Abdominal CT with intravenous contrast, arterial phase, axial plane, 120 kVp, kernel B20f. Slice 413/719 from the bottom of the scan; thickness 1.00 mm; pixel size 0.766 mm.
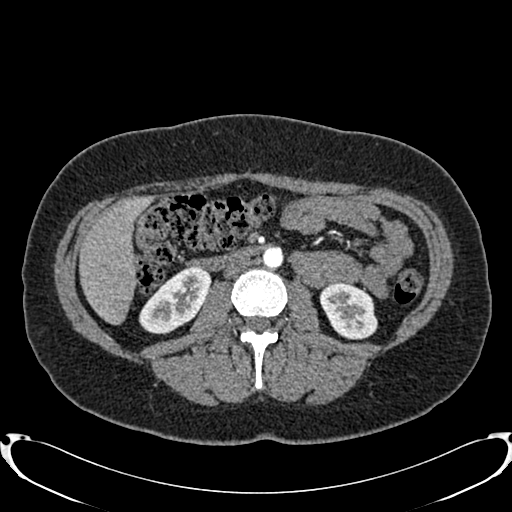
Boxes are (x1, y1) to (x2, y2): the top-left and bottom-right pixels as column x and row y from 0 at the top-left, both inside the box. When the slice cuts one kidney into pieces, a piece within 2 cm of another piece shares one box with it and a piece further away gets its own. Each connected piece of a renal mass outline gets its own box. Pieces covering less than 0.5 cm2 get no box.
Two kidney boxes on this slice; by box centre, from the image's left to its right: (1) Right kidney, box (138, 267) to (211, 334) (outlined area 3,095 px, about 18.1 cm2). (2) Box (319, 282) to (377, 339): left kidney (outlined area 2,529 px, about 14.8 cm2). No renal mass outline on this slice.